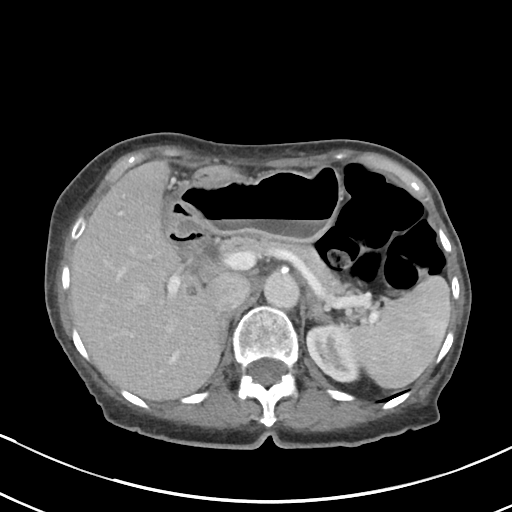
Arterial-phase contrast-enhanced abdominal CT, axial slice 67 of 80 (counted from the lowest slice); tube voltage 100 kVp, convolution kernel I40f; slices 5.00 mm thick, 0.648 mm per pixel.
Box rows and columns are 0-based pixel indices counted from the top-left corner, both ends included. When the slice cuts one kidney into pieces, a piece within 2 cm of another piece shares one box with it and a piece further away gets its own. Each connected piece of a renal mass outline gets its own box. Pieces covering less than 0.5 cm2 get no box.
Left kidney at rows 325–382, columns 306–358 (outlined area 2,023 px, about 8.5 cm2). No renal mass is outlined on this slice.